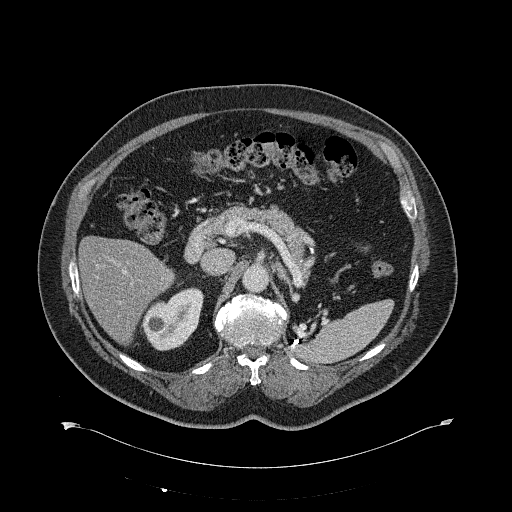
Axial slice 409 of 734 of a contrast-enhanced abdominal CT (slice 1 is the lowest), 120 kVp, kernel B31f; 2.00 mm slice thickness and 0.971 mm pixels.
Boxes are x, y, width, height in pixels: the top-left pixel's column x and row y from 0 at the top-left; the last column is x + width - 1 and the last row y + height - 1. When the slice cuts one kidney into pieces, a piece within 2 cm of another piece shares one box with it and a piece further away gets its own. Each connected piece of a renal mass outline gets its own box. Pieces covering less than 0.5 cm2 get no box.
Right kidney, box x 140, y 287, width 65, height 64 (outlined area 2,726 px, about 25.7 cm2). No renal mass is outlined on this slice.